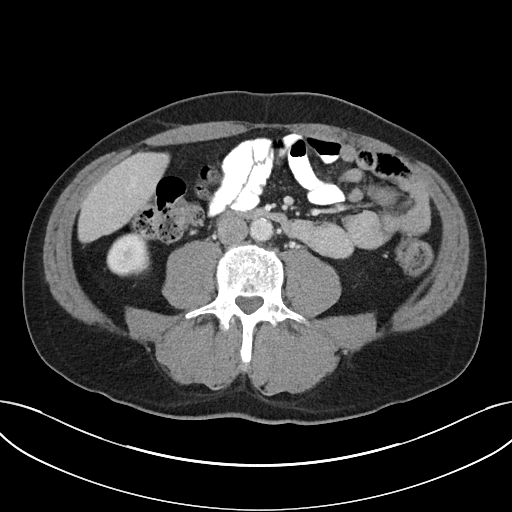
One axial slice (4 of 32, counting up from the lowest) of an arterial-phase abdominal CT acquired with 100 kVp, kernel I40f; each pixel is 0.779 mm and the slice is 5.00 mm thick.
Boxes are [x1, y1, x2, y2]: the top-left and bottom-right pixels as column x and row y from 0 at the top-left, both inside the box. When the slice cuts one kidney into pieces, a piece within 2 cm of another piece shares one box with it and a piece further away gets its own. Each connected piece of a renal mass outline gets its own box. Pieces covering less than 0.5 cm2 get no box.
Box [106, 232, 150, 276]: right kidney (outlined area 1,552 px, about 9.4 cm2). No renal mass outline on this slice.